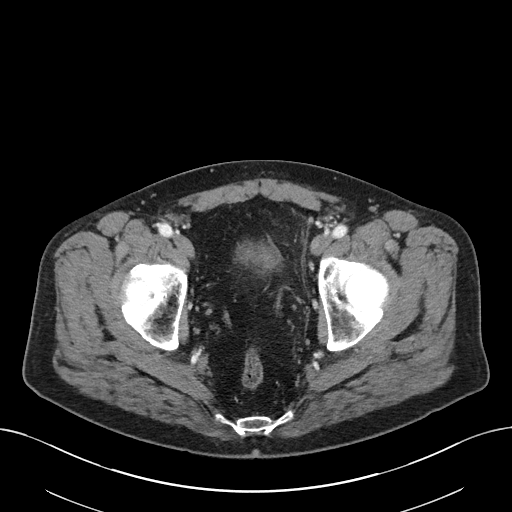
Slice 41/163 of a contrast-enhanced abdominal CT, counting up from the lowest; pixel size 0.799 mm, slice thickness 3.00 mm. Outside the outlined region: no kidney outline and no renal mass outline on this slice. The scan's outlines cover only kidneys and renal masses; no other organ is outlined.
Acquired at 100 kVp and reconstructed with the I40f kernel.